Axial slice 53 of 88 of a contrast-enhanced abdominal CT in the arterial phase (slice 1 is the lowest), 120 kVp, kernel B30f; 5.00 mm slice thickness and 0.691 mm pixels.
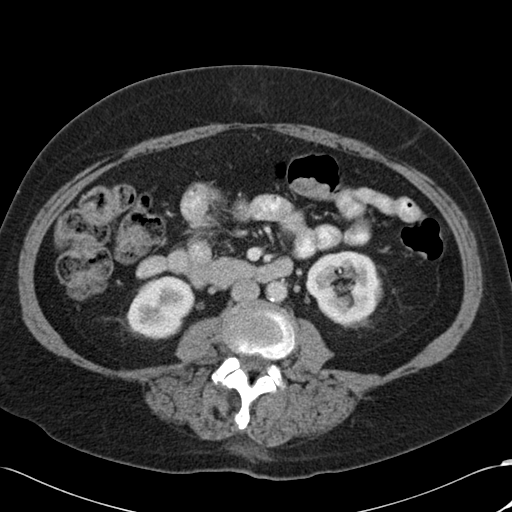
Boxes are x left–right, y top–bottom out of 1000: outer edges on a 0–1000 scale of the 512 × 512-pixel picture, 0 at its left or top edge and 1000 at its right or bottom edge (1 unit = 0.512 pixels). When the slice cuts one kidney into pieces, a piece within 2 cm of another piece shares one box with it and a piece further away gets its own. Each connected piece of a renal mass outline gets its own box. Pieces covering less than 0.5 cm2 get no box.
Two boxes on this slice (two kidney boxes), listed by box centre from the image's left to its right. (1) Right kidney, box x 248–383, y 539–664 out of 1000 (outlined area 3,247 px, about 15.5 cm2). (2) Box x 598–748, y 490–639 out of 1000: left kidney (outlined area 4,312 px, about 20.6 cm2). This slice carries no renal mass outline.